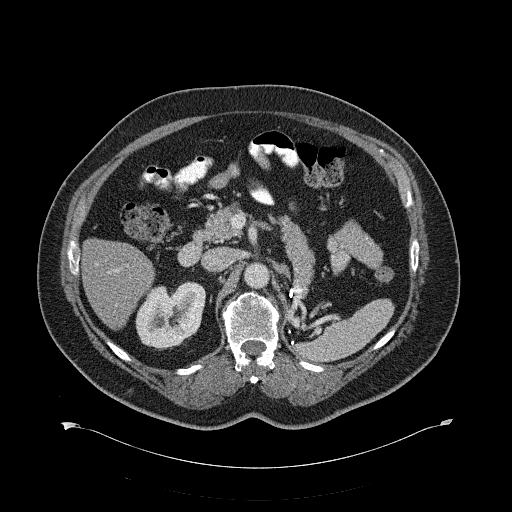
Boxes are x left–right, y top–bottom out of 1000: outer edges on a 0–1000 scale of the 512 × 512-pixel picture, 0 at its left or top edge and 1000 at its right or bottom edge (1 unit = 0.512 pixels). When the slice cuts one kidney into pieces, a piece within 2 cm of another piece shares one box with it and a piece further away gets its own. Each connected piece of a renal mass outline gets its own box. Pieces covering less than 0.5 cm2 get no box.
Contrast-enhanced abdominal CT, axial slice 398 of 734 (counted from the lowest slice); 2.00 mm thick, 0.971 mm per pixel. Right kidney, box x 264–402, y 549–686 out of 1000 (outlined area 3,603 px, about 33.9 cm2). No renal mass is outlined on this slice.
Tube voltage 120 kVp; convolution kernel B31f.